Axial slice 43 of 85 of a contrast-enhanced abdominal CT in the arterial phase (slice 1 is the lowest), 120 kVp, kernel FC19; 5.00 mm slice thickness and 0.741 mm pixels.
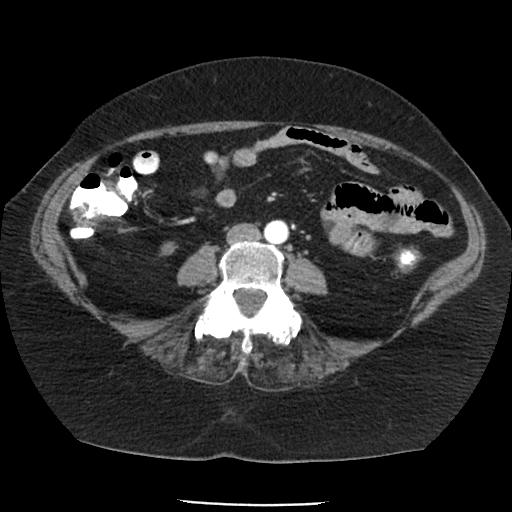
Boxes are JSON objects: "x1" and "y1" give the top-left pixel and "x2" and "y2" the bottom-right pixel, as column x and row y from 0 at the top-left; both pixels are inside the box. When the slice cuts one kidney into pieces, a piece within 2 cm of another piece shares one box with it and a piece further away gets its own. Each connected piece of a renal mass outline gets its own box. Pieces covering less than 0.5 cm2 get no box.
Right kidney at {"x1": 160, "y1": 242, "x2": 177, "y2": 255} (outlined area 171 px, about 0.9 cm2). This slice carries no renal mass outline.